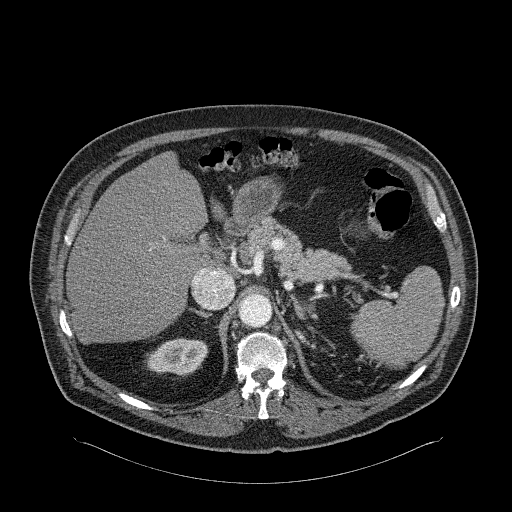
Abdominal CT with intravenous contrast, arterial phase, axial plane, 120 kVp, kernel B31f. Slice 194/326 from the bottom of the scan; thickness 2.00 mm; pixel size 0.963 mm.
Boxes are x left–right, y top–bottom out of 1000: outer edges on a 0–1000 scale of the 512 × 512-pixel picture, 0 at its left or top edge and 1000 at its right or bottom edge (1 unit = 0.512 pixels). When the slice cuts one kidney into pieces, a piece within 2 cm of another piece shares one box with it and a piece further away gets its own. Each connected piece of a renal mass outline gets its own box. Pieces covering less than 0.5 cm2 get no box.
Right kidney at x 283–408, y 658–736 out of 1000 (outlined area 1,806 px, about 16.7 cm2). This slice carries no renal mass outline.